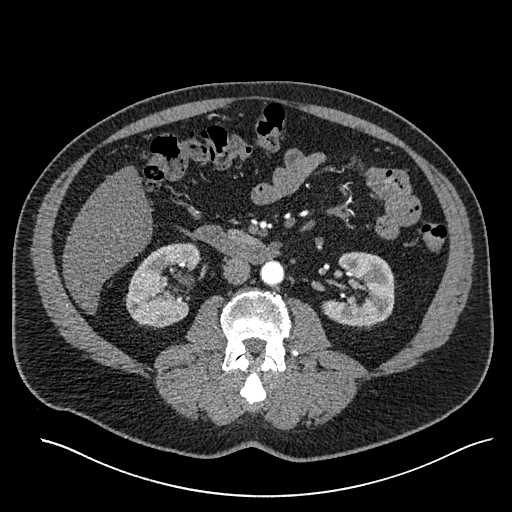
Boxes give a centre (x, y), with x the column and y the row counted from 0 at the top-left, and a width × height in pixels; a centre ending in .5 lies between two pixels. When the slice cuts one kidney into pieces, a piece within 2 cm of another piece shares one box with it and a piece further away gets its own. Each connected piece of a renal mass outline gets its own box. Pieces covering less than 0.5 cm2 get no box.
Slice 288/527 of a contrast-enhanced abdominal CT in the arterial phase, counting up from the lowest; pixel size 0.859 mm, slice thickness 1.00 mm. Two kidney boxes on this slice; by box centre, from the image's left to its right: (1) Box centre (162, 285.5), 77 × 86 pixels: right kidney (outlined area 4,445 px, about 32.8 cm2). (2) Box centre (358.5, 290), 74 × 79 pixels: left kidney (outlined area 3,946 px, about 29.1 cm2). No renal mass outline on this slice.
Acquired at 120 kVp and reconstructed with the I30f kernel.